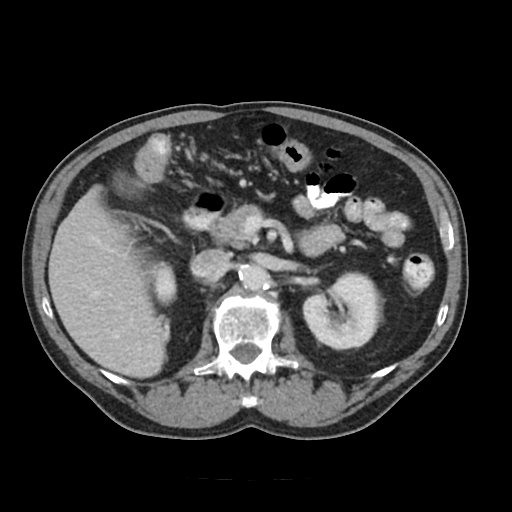
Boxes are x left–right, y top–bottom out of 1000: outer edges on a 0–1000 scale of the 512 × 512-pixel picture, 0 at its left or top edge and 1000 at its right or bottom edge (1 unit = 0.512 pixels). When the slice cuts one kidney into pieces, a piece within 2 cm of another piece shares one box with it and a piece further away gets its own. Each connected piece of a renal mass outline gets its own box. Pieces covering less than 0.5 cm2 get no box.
Slice 65/91 of a contrast-enhanced abdominal CT, counting up from the lowest; pixel size 0.766 mm, slice thickness 5.00 mm. Two boxes on this slice (two kidney boxes), listed by box centre from the image's left to its right. (1) Right kidney, box x 301–346, y 512–596 out of 1000 (outlined area 761 px, about 4.5 cm2). (2) Box x 590–746, y 529–686 out of 1000: left kidney (outlined area 4,739 px, about 27.8 cm2). This slice carries no renal mass outline.
Acquired at 120 kVp and reconstructed with the FC18 kernel.